Arterial-phase contrast-enhanced abdominal CT, axial slice 312 of 723 (counted from the lowest slice); tube voltage 120 kVp, convolution kernel B30f; slices 1.00 mm thick, 0.895 mm per pixel.
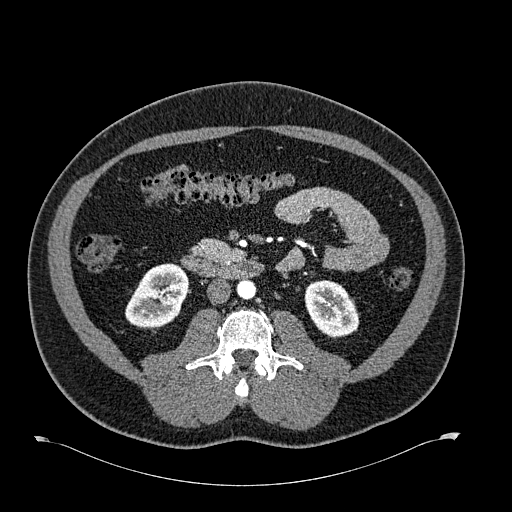
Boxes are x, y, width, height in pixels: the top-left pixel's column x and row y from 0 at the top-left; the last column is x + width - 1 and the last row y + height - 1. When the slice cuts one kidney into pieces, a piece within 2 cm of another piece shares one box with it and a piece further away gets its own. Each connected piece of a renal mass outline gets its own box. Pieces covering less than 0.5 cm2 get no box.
Two kidney boxes on this slice; by box centre, from the image's left to its right: (1) Box x 125, y 263, width 63, height 66: right kidney (outlined area 3,016 px, about 24.1 cm2). (2) Left kidney at x 304, y 280, width 56, height 59 (outlined area 2,404 px, about 19.2 cm2). No renal mass outline on this slice.